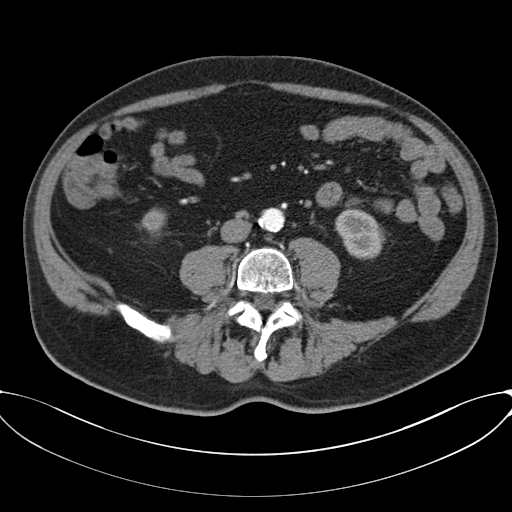
One axial slice (16 of 80, counting up from the lowest) of a contrast-enhanced abdominal CT acquired with 120 kVp, kernel B30f; each pixel is 0.822 mm and the slice is 3.00 mm thick.
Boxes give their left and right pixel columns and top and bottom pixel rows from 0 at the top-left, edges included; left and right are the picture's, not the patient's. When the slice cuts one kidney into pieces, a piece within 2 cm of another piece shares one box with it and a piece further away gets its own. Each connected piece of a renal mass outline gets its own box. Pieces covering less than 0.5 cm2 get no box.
Two kidney boxes on this slice; by box centre, from the image's left to its right: (1) Box with left 139, top 208, right 166, bottom 236: right kidney (outlined area 521 px, about 3.5 cm2). (2) Left kidney in the box with left 335, top 207, right 385, bottom 259 (outlined area 1,889 px, about 12.8 cm2). This slice carries no renal mass outline.